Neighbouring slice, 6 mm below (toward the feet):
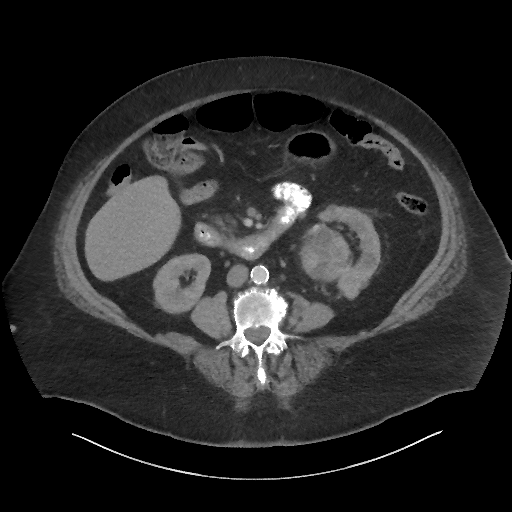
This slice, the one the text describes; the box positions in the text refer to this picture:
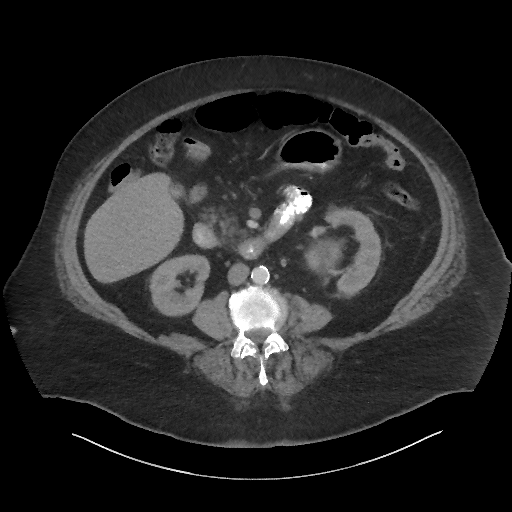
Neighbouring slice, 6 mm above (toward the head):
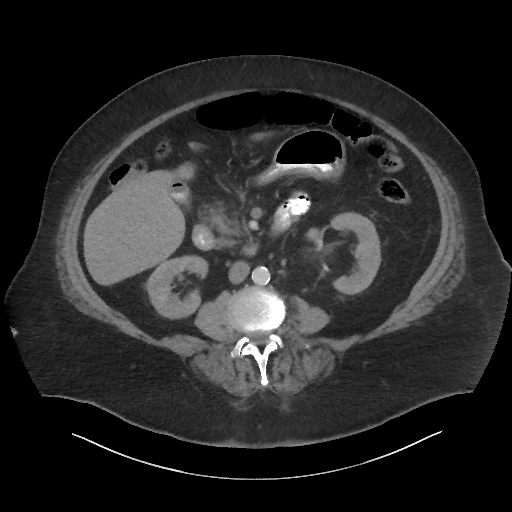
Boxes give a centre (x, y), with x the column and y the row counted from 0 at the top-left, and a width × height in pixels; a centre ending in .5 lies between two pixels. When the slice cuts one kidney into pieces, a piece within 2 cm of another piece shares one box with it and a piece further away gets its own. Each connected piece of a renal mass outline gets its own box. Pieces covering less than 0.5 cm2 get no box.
This is axial slice 27 of 86 (slice 1 is the lowest) of an abdominal CT with contrast; each pixel is 0.977 mm and the slice is 3.00 mm thick. Three boxes on this slice (two kidney boxes and one renal mass box), listed by box centre from the image's left to its right. (1) Right kidney in a box with centre (179.5, 285), 62 × 63 pixels (outlined area 2,707 px, about 25.8 cm2). (2) Box centre (325, 253), 43 × 43 pixels: left renal mass (outlined area 1,233 px, about 11.8 cm2). (3) Box centre (352.5, 254), 58 × 89 pixels: left kidney (outlined area 2,720 px, about 25.9 cm2). This slice lies near the end of the left renal mass toward the head; the slices 6 mm below and 6 mm above it are shown too, and the boxes mark positions on this slice only.
Tube voltage 140 kVp; convolution kernel I44f.